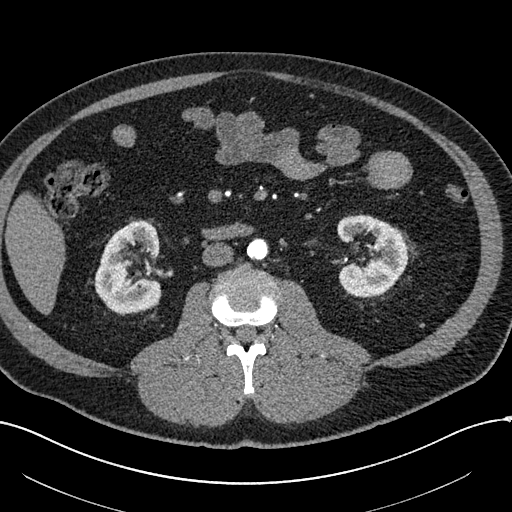
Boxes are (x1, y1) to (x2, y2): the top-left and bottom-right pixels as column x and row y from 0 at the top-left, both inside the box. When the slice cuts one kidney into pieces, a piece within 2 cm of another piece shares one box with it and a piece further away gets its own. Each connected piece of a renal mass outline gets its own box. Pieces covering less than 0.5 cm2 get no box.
Slice 276/602 of a contrast-enhanced abdominal CT in the arterial phase, counting up from the lowest; pixel size 0.799 mm, slice thickness 1.00 mm. Two boxes on this slice (two kidney boxes), listed by box centre from the image's left to its right. (1) Right kidney from (94, 220) to (161, 313) (outlined area 4,714 px, about 30.1 cm2). (2) Left kidney, box (337, 214) to (408, 297) (outlined area 4,253 px, about 27.1 cm2). No renal mass is outlined on this slice.
Scan settings: 120 kVp, I30f reconstruction kernel.